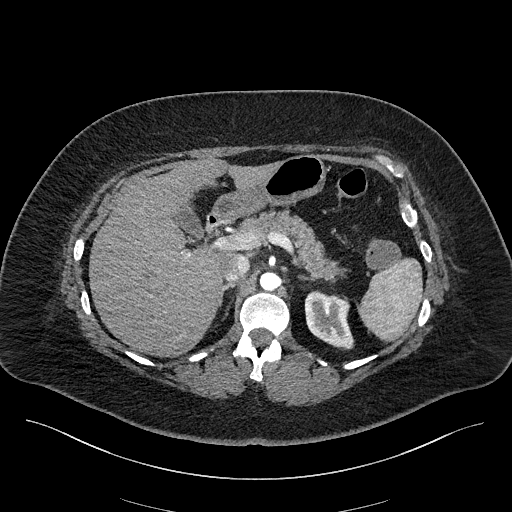
Abdominal CT with intravenous contrast, arterial phase, axial plane, 100 kVp, kernel I40f. Slice 150/270 from the bottom of the scan; thickness 2.00 mm; pixel size 0.855 mm.
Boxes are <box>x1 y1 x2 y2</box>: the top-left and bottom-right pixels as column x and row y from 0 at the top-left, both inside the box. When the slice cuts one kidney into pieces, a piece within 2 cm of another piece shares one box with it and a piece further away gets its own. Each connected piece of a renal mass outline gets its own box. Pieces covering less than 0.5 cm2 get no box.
Left kidney: <box>304 290 354 349</box> (outlined area 2,146 px, about 15.7 cm2). No renal mass is outlined on this slice.